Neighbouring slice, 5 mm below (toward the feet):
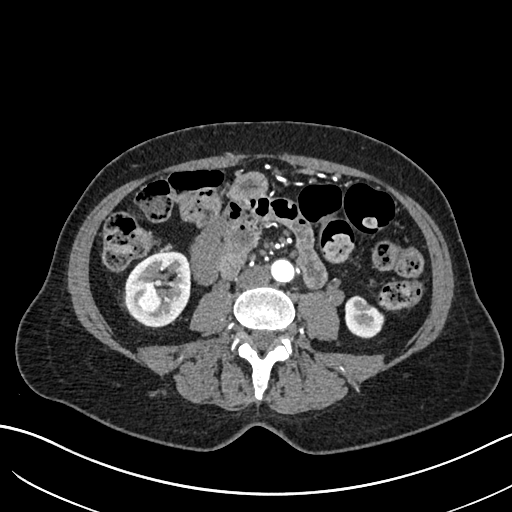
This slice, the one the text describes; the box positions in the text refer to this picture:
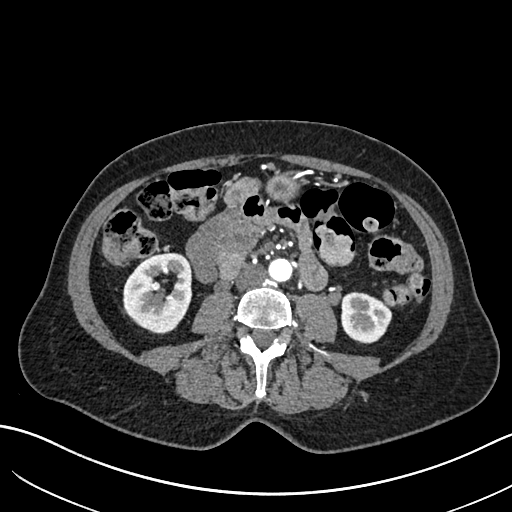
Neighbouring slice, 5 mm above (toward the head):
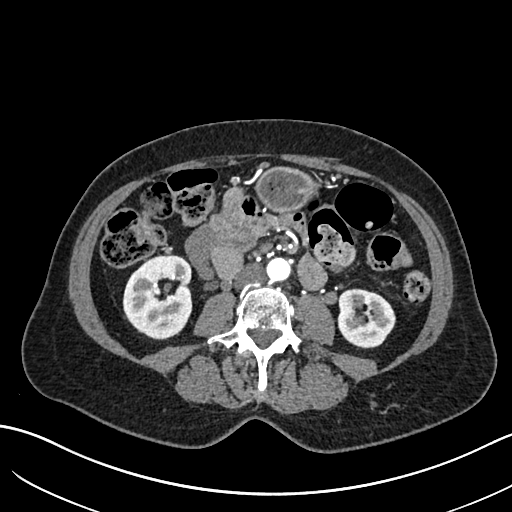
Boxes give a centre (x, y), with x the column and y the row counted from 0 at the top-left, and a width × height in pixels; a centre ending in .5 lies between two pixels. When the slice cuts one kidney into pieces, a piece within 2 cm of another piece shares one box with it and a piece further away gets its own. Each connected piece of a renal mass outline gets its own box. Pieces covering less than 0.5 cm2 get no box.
This is axial slice 302 of 683 (slice 1 is the lowest) of an arterial-phase abdominal CT with contrast; each pixel is 0.738 mm and the slice is 1.00 mm thick. Boxed on this slice (two kidney boxes and one renal mass box), listed by box centre from the image's left to its right: (1) Right renal mass, box centre (156, 299.5), 11 × 10 pixels (outlined area 94 px, about 0.5 cm2). (2) Right kidney, box centre (156.5, 293), 70 × 83 pixels (outlined area 4,163 px, about 22.7 cm2). (3) Left kidney, box centre (366.5, 317), 52 × 53 pixels (outlined area 2,060 px, about 11.2 cm2). This slice lies near the end of the right renal mass toward the head; the slices 5 mm below and 5 mm above it are shown too, and the boxes mark positions on this slice only.
Acquired at 120 kVp and reconstructed with the I30f kernel.